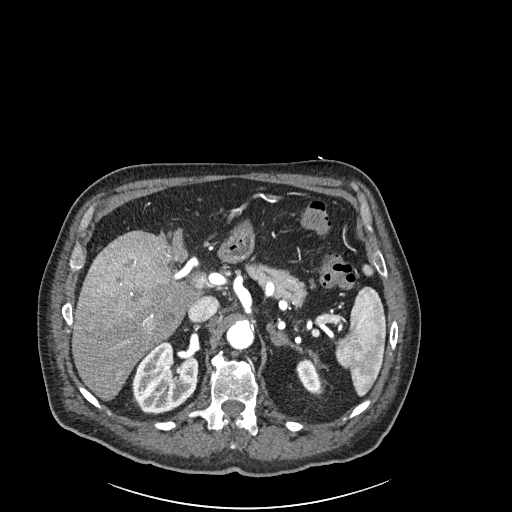
Abdominal CT with intravenous contrast, arterial phase, axial plane, 120 kVp, kernel I30f. Slice 161/261 from the bottom of the scan; thickness 2.00 mm; pixel size 0.939 mm.
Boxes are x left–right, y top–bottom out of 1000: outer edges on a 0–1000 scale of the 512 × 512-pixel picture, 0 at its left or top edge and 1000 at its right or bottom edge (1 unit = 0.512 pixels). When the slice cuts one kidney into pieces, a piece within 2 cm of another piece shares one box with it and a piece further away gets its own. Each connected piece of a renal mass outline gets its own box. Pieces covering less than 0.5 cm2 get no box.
Boxed on this slice (two kidney boxes), listed by box centre from the image's left to its right: (1) Right kidney at x 258–389, y 666–811 out of 1000 (outlined area 3,664 px, about 32.3 cm2). (2) Left kidney, box x 578–629, y 703–768 out of 1000 (outlined area 586 px, about 5.2 cm2). This slice carries no renal mass outline.